Abdominal CT with intravenous contrast, arterial phase, axial plane, 120 kVp, kernel I30f. Slice 384/612 from the bottom of the scan; thickness 1.00 mm; pixel size 0.703 mm.
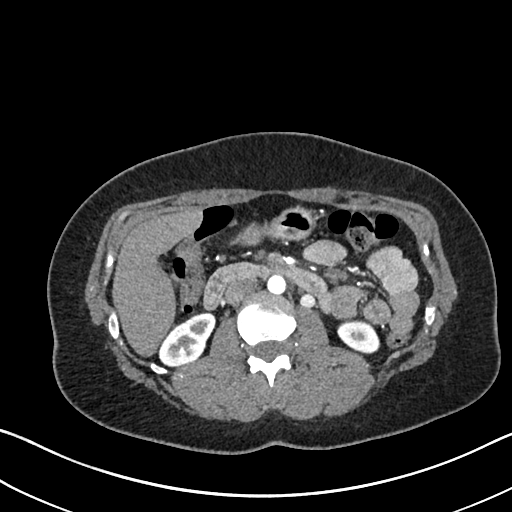
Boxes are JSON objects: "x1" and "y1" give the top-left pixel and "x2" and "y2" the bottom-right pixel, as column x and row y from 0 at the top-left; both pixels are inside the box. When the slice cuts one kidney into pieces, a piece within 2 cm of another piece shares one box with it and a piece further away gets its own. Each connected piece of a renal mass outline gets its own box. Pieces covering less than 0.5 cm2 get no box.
Two boxes on this slice (two kidney boxes), listed by box centre from the image's left to its right. (1) Right kidney, box {"x1": 159, "y1": 312, "x2": 215, "y2": 365} (outlined area 1,983 px, about 9.8 cm2). (2) Left kidney, box {"x1": 337, "y1": 319, "x2": 380, "y2": 352} (outlined area 1,108 px, about 5.5 cm2). No renal mass is outlined on this slice.